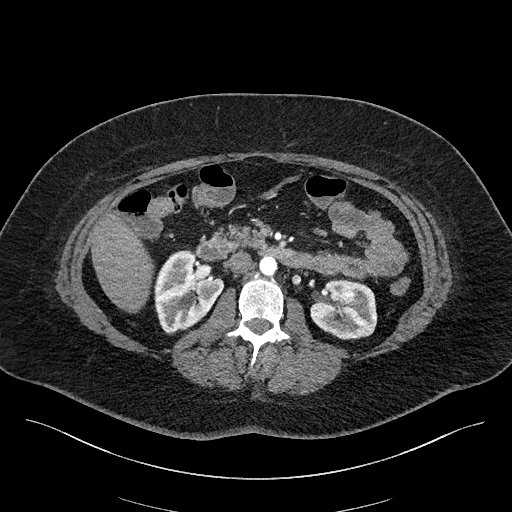
Axial slice 102 of 270 of a contrast-enhanced abdominal CT in the arterial phase (slice 1 is the lowest), 100 kVp, kernel I40f; 2.00 mm slice thickness and 0.855 mm pixels.
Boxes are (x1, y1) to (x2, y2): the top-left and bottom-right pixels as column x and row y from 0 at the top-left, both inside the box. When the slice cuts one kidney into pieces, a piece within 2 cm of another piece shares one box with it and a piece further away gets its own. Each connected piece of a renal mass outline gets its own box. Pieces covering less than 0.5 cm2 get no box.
Two boxes on this slice (two kidney boxes), listed by box centre from the image's left to its right. (1) Right kidney from (154, 250) to (224, 334) (outlined area 4,120 px, about 30.2 cm2). (2) Left kidney from (310, 279) to (377, 339) (outlined area 3,235 px, about 23.7 cm2). No renal mass is outlined on this slice.